Abdominal CT with intravenous contrast, arterial phase, axial plane, 120 kVp, kernel I26f. Slice 324/548 from the bottom of the scan; thickness 1.00 mm; pixel size 0.852 mm.
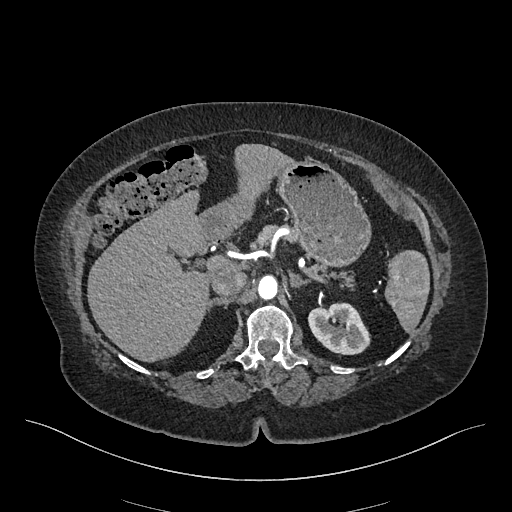
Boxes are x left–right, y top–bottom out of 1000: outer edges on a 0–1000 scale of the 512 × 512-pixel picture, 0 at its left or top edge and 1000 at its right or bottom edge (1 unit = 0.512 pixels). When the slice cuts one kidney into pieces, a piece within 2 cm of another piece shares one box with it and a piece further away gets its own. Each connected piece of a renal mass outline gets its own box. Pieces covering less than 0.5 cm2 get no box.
Left kidney, box x 600–725, y 590–693 out of 1000 (outlined area 2,431 px, about 17.6 cm2). No renal mass is outlined on this slice.